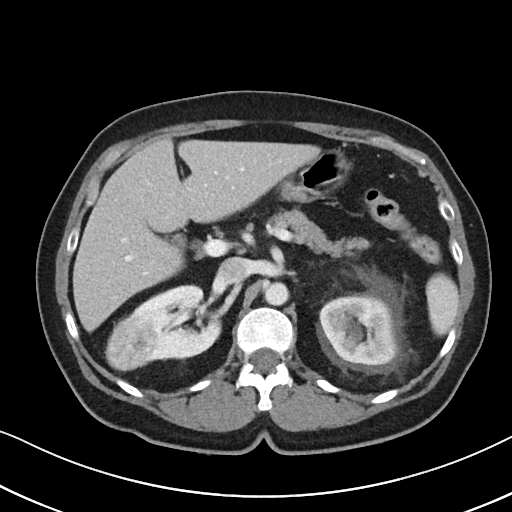
Abdominal CT with intravenous contrast, axial plane, 100 kVp, kernel I40f. Slice 64/88 from the bottom of the scan; thickness 5.00 mm; pixel size 0.674 mm.
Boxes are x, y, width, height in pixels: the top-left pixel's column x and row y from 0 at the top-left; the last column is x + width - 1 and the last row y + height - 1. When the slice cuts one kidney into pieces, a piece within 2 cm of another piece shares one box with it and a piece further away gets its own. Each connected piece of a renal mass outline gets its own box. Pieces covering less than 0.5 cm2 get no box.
Two kidney boxes and one renal mass box on this slice; by box centre, from the image's left to its right: (1) Box x 106, y 316, width 53, height 54: right renal mass (outlined area 2,179 px, about 9.9 cm2). (2) Right kidney at x 131, y 286, width 92, height 76 (outlined area 4,259 px, about 19.3 cm2). (3) Box x 319, y 296, width 80, height 69: left kidney (outlined area 4,402 px, about 20.0 cm2).